One axial slice (112 of 159, counting up from the lowest) of a contrast-enhanced abdominal CT acquired with 120 kVp, kernel FC13; each pixel is 0.668 mm and the slice is 3.00 mm thick.
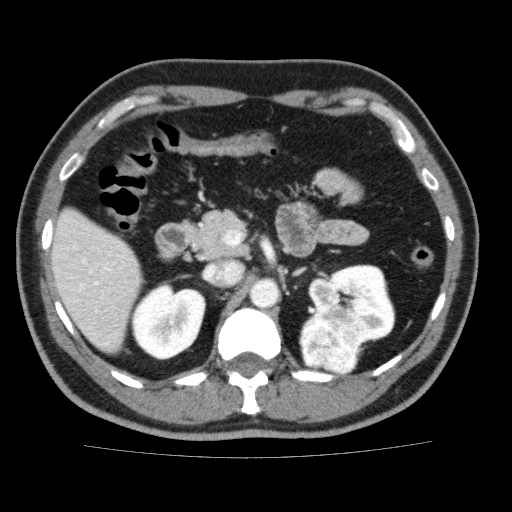
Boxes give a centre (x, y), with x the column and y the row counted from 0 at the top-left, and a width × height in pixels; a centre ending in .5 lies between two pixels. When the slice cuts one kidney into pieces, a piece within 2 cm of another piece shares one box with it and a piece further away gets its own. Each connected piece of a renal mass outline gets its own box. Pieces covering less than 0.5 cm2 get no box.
Two kidney boxes and one renal mass box on this slice; by box centre, from the image's left to its right: (1) Right kidney, box centre (167.5, 321), 78 × 79 pixels (outlined area 4,404 px, about 19.7 cm2). (2) Left renal mass in a box with centre (332.5, 339.5), 68 × 72 pixels (outlined area 3,830 px, about 17.1 cm2). (3) Left kidney, box centre (351.5, 302.5), 88 × 78 pixels (outlined area 3,891 px, about 17.4 cm2).